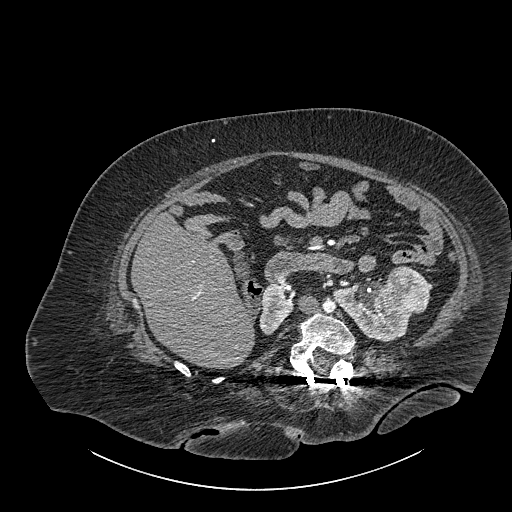
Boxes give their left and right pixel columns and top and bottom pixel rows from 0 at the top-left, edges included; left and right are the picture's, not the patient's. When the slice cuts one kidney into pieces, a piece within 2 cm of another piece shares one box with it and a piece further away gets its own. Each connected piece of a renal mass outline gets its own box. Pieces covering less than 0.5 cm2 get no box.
This is axial slice 529 of 834 (slice 1 is the lowest) of an abdominal CT with contrast; each pixel is 0.977 mm and the slice is 1.00 mm thick. Three boxes on this slice (two kidney boxes and one renal mass box), listed by box centre from the image's left to its right. (1) Right part of the midline-crossing kidney in the box with left 259, top 284, right 293, bottom 334 (outlined area 1,150 px, about 11.0 cm2). (2) Box with left 332, top 282, right 411, bottom 341: left part of the midline-crossing kidney (outlined area 2,756 px, about 26.3 cm2). (3) Renal mass, the box with left 386, top 266, right 429, bottom 314 (outlined area 1,627 px, about 15.5 cm2).
Tube voltage 140 kVp; convolution kernel I30f.